Axial slice 21 of 89 of a contrast-enhanced abdominal CT in the arterial phase (slice 1 is the lowest), 100 kVp, kernel I40f; 5.00 mm slice thickness and 0.885 mm pixels.
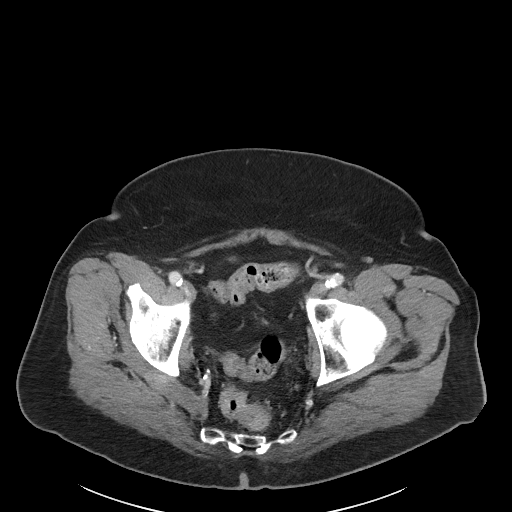
No kidney and no renal mass is outlined on this slice; the outlines in this scan cover only the kidneys and the renal masses, so nothing is said about any other organ.